Axial slice 227 of 673 of a contrast-enhanced abdominal CT in the arterial phase (slice 1 is the lowest), 120 kVp, kernel I30f; 1.00 mm slice thickness and 0.855 mm pixels.
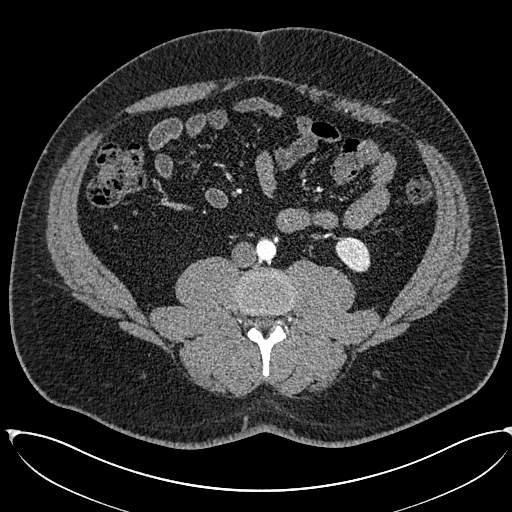
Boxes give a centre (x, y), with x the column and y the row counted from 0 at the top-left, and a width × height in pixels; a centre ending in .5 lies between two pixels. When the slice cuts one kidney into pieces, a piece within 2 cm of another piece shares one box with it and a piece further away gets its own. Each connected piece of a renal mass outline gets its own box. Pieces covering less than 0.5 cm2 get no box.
Left kidney, box centre (352.5, 254.5), 36 × 36 pixels (outlined area 937 px, about 6.9 cm2). This slice carries no renal mass outline.